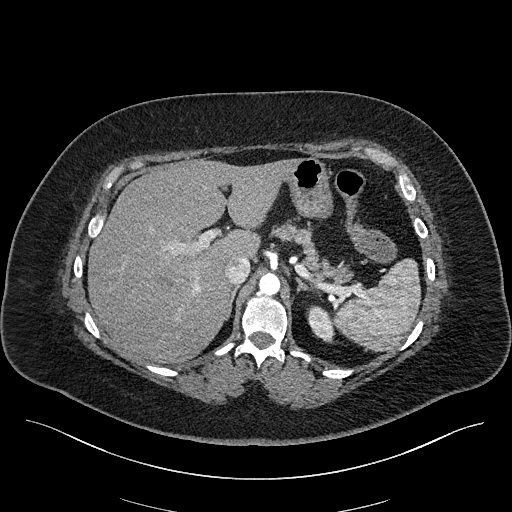
Abdominal CT with intravenous contrast, arterial phase, axial plane, 100 kVp, kernel I40f. Slice 166/270 from the bottom of the scan; thickness 2.00 mm; pixel size 0.855 mm.
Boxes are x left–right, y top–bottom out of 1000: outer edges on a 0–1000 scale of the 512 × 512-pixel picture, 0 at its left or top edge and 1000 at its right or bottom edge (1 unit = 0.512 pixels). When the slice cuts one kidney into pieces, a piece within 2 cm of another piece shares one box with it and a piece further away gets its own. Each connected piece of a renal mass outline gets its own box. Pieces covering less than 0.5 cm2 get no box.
Left kidney, box x 600–654, y 596–670 out of 1000 (outlined area 710 px, about 5.2 cm2). No renal mass is outlined on this slice.